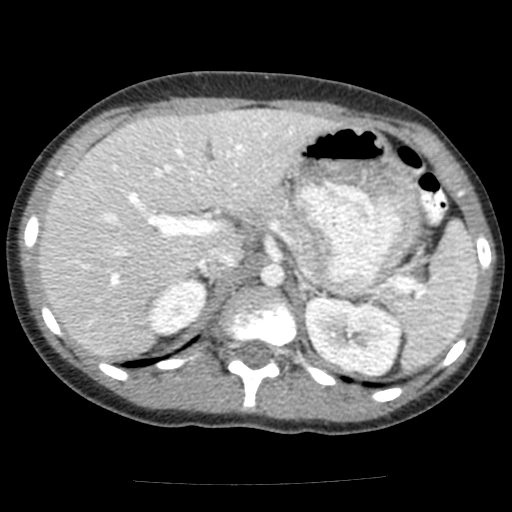
Axial slice 94 of 117 of a contrast-enhanced abdominal CT in the arterial phase (slice 1 is the lowest), 120 kVp, kernel FC12; 3.00 mm slice thickness and 0.518 mm pixels.
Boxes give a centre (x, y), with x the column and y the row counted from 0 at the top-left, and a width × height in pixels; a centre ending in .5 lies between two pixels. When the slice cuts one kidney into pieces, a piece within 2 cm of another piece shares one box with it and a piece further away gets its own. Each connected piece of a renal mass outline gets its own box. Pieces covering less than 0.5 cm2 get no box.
Boxed on this slice (two kidney boxes), listed by box centre from the image's left to its right: (1) Box centre (177.5, 307), 58 × 59 pixels: right kidney (outlined area 2,353 px, about 6.3 cm2). (2) Left kidney in a box with centre (352.5, 336), 98 × 83 pixels (outlined area 6,004 px, about 16.1 cm2). This slice carries no renal mass outline.